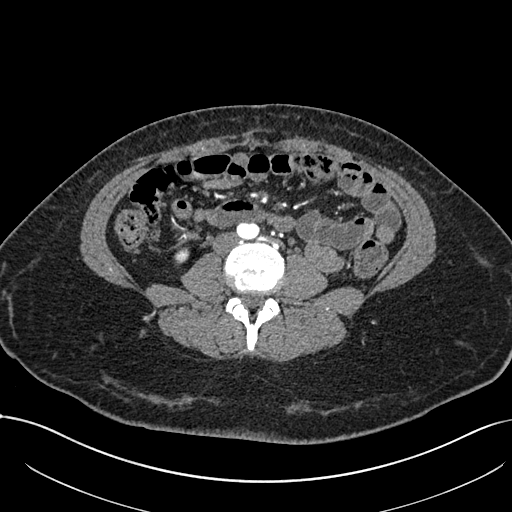
One axial slice (302 of 738, counting up from the lowest) of an arterial-phase abdominal CT acquired with 120 kVp, kernel I30f; each pixel is 0.789 mm and the slice is 1.00 mm thick.
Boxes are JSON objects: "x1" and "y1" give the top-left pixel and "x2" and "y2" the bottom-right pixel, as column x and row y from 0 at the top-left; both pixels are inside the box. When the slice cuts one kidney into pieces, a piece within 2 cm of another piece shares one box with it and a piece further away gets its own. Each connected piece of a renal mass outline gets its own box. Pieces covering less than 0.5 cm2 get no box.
Box {"x1": 174, "y1": 246, "x2": 189, "y2": 264}: right kidney (outlined area 210 px, about 1.3 cm2). No renal mass outline on this slice.